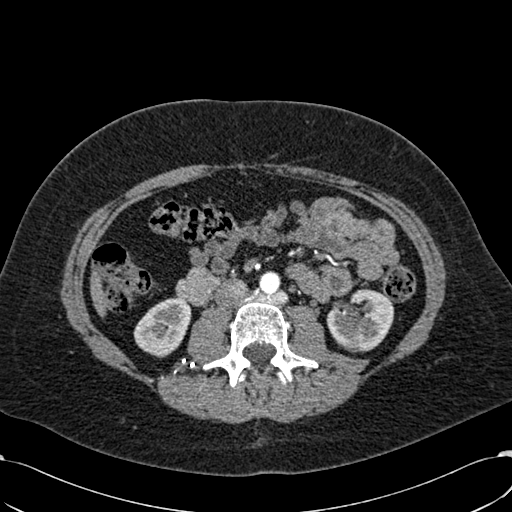
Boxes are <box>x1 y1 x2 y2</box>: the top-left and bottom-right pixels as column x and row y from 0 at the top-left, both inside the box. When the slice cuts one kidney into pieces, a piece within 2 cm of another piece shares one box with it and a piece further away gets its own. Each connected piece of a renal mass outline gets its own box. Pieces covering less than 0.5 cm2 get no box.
This is axial slice 298 of 532 (slice 1 is the lowest) of an arterial-phase abdominal CT with contrast; each pixel is 0.713 mm and the slice is 1.00 mm thick. Two kidney boxes on this slice; by box centre, from the image's left to its right: (1) At <box>133 297 191 357</box>: right kidney (outlined area 2,469 px, about 12.5 cm2). (2) At <box>326 289 394 352</box>: left kidney (outlined area 3,120 px, about 15.9 cm2).
Tube voltage 120 kVp; convolution kernel B30f.